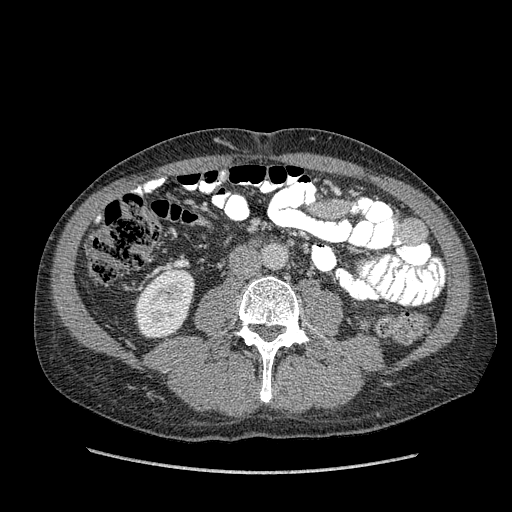
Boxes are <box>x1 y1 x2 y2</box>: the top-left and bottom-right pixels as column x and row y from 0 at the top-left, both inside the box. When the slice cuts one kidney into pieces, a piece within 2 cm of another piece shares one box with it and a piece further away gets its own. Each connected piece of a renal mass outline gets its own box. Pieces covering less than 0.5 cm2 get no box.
Slice 167/349 of a contrast-enhanced abdominal CT in the arterial phase, counting up from the lowest; pixel size 0.742 mm, slice thickness 1.25 mm. Right kidney: <box>134 269 194 338</box> (outlined area 3,235 px, about 17.8 cm2). No renal mass outline on this slice.
Tube voltage 120 kVp; convolution kernel STANDARD.